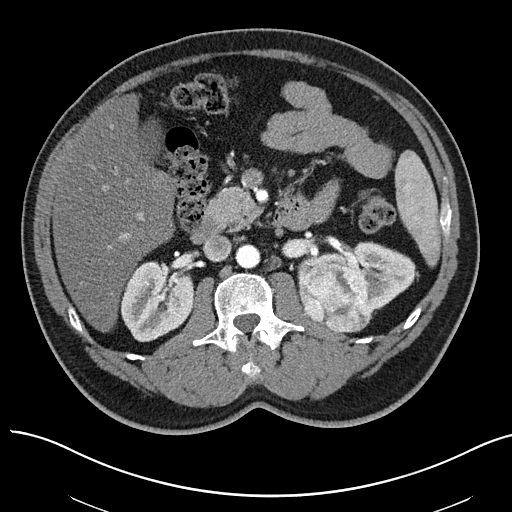
Axial slice 37 of 97 of a contrast-enhanced abdominal CT in the arterial phase (slice 1 is the lowest), 100 kVp, kernel I40f; 3.00 mm slice thickness and 0.797 mm pixels.
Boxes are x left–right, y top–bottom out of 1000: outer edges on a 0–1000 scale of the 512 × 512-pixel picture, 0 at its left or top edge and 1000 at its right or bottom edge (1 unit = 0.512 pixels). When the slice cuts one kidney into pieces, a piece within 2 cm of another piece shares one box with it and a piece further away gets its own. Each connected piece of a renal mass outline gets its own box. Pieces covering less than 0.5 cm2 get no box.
Boxed on this slice (two kidney boxes and one renal mass box), listed by box centre from the image's left to its right: (1) Right kidney at x 234–383, y 510–670 out of 1000 (outlined area 4,539 px, about 28.8 cm2). (2) Left renal mass, box x 580–730, y 492–652 out of 1000 (outlined area 4,814 px, about 30.6 cm2). (3) Left kidney at x 648–813, y 471–613 out of 1000 (outlined area 2,852 px, about 18.1 cm2).